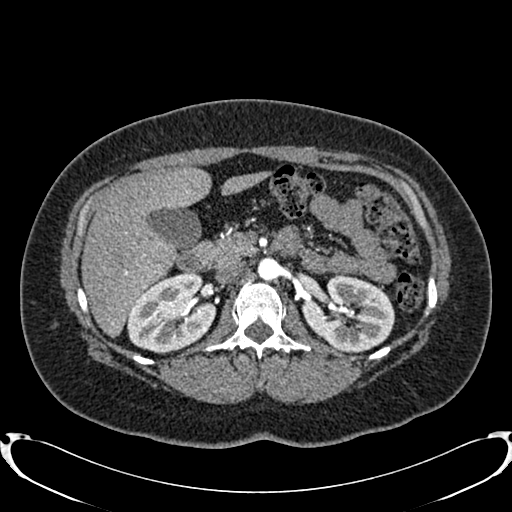
Arterial-phase contrast-enhanced abdominal CT, axial slice 498 of 719 (counted from the lowest slice); tube voltage 120 kVp, convolution kernel B20f; slices 1.00 mm thick, 0.766 mm per pixel.
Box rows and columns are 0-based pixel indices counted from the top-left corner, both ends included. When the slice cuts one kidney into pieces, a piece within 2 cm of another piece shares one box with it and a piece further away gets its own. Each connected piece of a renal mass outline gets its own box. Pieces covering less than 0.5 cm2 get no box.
Two boxes on this slice (two kidney boxes), listed by box centre from the image's left to its right. (1) Right kidney at rows 272–354, columns 126–216 (outlined area 5,317 px, about 31.2 cm2). (2) Left kidney, box rows 275–352, columns 302–394 (outlined area 5,192 px, about 30.4 cm2). This slice carries no renal mass outline.